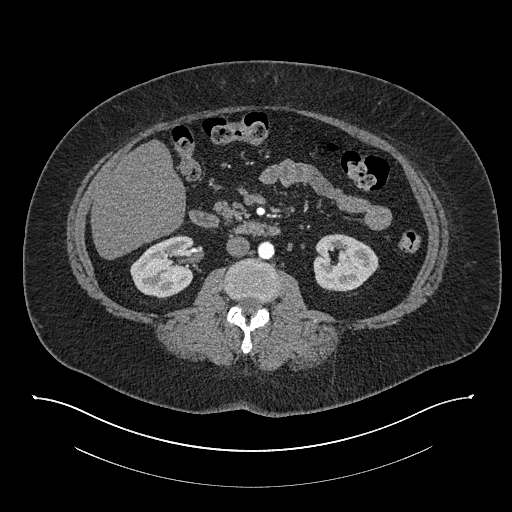
Abdominal CT with intravenous contrast, arterial phase, axial plane, 140 kVp, kernel I30f. Slice 423/673 from the bottom of the scan; thickness 1.00 mm; pixel size 0.957 mm.
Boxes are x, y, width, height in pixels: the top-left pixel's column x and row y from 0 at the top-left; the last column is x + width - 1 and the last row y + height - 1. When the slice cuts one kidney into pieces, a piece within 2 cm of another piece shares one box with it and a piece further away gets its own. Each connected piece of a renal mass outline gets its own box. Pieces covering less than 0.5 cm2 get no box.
Two kidney boxes on this slice; by box centre, from the image's left to its right: (1) Box x 130, y 235, width 65, height 64: right kidney (outlined area 3,069 px, about 28.1 cm2). (2) Left kidney, box x 313, y 233, width 66, height 59 (outlined area 2,904 px, about 26.6 cm2). No renal mass is outlined on this slice.